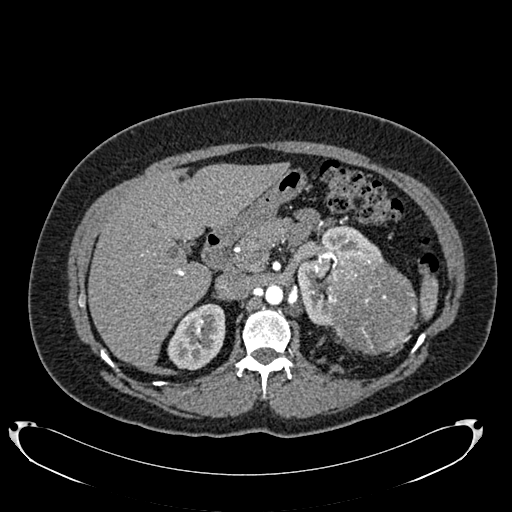
Arterial-phase contrast-enhanced abdominal CT, axial slice 492 of 634 (counted from the lowest slice); tube voltage 120 kVp, convolution kernel B20f; slices 1.00 mm thick, 0.838 mm per pixel.
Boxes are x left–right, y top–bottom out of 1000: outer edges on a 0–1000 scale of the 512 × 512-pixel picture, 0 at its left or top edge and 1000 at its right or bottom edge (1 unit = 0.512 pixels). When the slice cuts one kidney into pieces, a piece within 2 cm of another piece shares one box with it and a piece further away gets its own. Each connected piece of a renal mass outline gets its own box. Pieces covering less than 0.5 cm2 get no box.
Two kidney boxes and one renal mass box on this slice; by box centre, from the image's left to its right: (1) Right kidney at x 326–441, y 592–725 out of 1000 (outlined area 2,864 px, about 20.1 cm2). (2) Left kidney at x 580–750, y 439–637 out of 1000 (outlined area 3,579 px, about 25.1 cm2). (3) Left renal mass, box x 633–816, y 500–693 out of 1000 (outlined area 7,159 px, about 50.3 cm2).